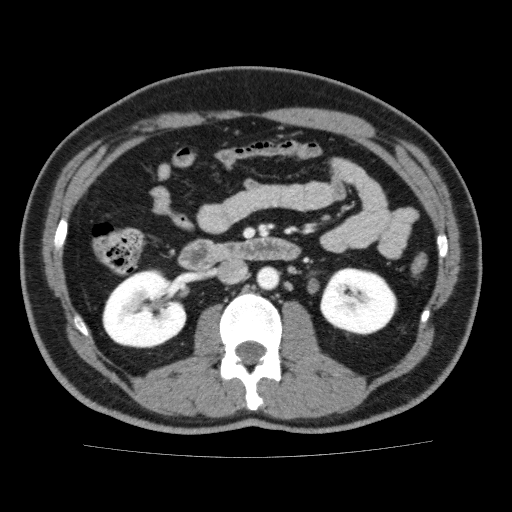
One axial slice (97 of 159, counting up from the lowest) of a contrast-enhanced abdominal CT acquired with 120 kVp, kernel FC13; each pixel is 0.668 mm and the slice is 3.00 mm thick.
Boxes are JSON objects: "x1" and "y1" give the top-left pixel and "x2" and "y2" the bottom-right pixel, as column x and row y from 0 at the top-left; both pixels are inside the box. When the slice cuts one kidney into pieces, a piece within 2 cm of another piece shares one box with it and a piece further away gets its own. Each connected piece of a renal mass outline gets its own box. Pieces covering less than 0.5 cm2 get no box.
Two boxes on this slice (two kidney boxes), listed by box centre from the image's left to its right. (1) Right kidney, box {"x1": 102, "y1": 270, "x2": 186, "y2": 348} (outlined area 5,057 px, about 22.6 cm2). (2) Box {"x1": 320, "y1": 267, "x2": 397, "y2": 335}: left kidney (outlined area 4,078 px, about 18.2 cm2). No renal mass outline on this slice.